Arterial-phase contrast-enhanced abdominal CT, axial slice 55 of 85 (counted from the lowest slice); tube voltage 100 kVp, convolution kernel I41f; slices 5.00 mm thick, 0.664 mm per pixel.
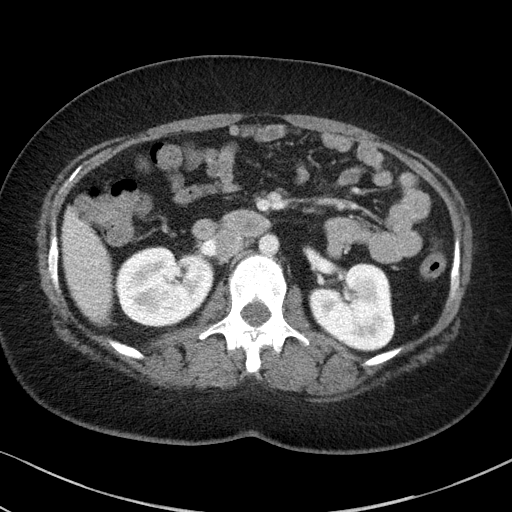
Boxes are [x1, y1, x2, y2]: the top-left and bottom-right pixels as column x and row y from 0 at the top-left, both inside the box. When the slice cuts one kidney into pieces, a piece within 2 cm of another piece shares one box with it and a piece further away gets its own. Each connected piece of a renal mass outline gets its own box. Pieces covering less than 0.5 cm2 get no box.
Two boxes on this slice (two kidney boxes), listed by box centre from the image's left to its right. (1) Box [116, 246, 212, 326]: right kidney (outlined area 6,080 px, about 26.8 cm2). (2) Left kidney, box [308, 262, 395, 351] (outlined area 5,760 px, about 25.4 cm2). No renal mass is outlined on this slice.